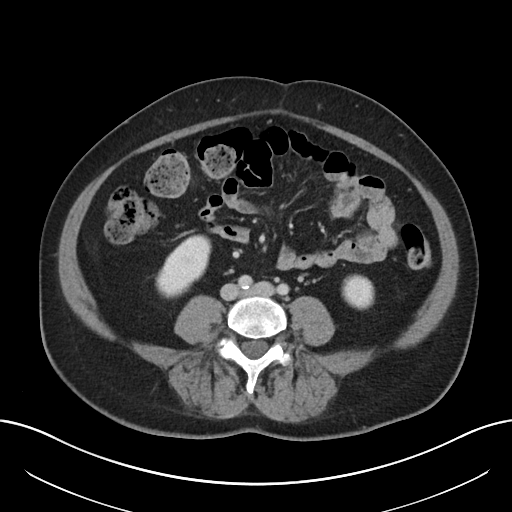
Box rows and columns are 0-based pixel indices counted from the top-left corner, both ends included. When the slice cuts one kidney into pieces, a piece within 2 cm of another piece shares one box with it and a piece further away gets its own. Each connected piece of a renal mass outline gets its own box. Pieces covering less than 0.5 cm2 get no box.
This is axial slice 91 of 197 (slice 1 is the lowest) of an abdominal CT with contrast; each pixel is 0.791 mm and the slice is 5.00 mm thick. Two kidney boxes on this slice; by box centre, from the image's left to its right: (1) Box rows 234–298, columns 155–211: right kidney (outlined area 2,333 px, about 14.6 cm2). (2) Left kidney at rows 274–309, columns 341–374 (outlined area 959 px, about 6.0 cm2). No renal mass is outlined on this slice.
Tube voltage 120 kVp; convolution kernel I30f.